One axial slice (543 of 735, counting up from the lowest) of an arterial-phase abdominal CT acquired with 120 kVp, kernel I30f; each pixel is 0.789 mm and the slice is 1.00 mm thick.
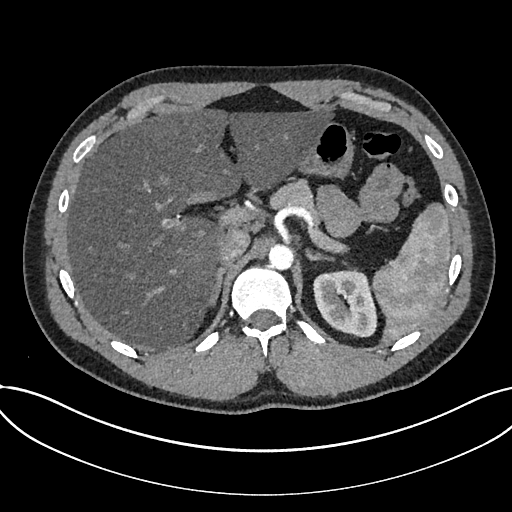
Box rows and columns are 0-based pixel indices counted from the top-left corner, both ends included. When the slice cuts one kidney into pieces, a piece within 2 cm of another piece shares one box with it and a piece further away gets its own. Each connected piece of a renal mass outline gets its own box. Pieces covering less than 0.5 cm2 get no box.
Kidney at rows 269–336, columns 313–377 (outlined area 3,384 px, about 21.1 cm2). This slice carries no renal mass outline.